One axial slice (274 of 527, counting up from the lowest) of an arterial-phase abdominal CT acquired with 120 kVp, kernel I30f; each pixel is 0.859 mm and the slice is 1.00 mm thick.
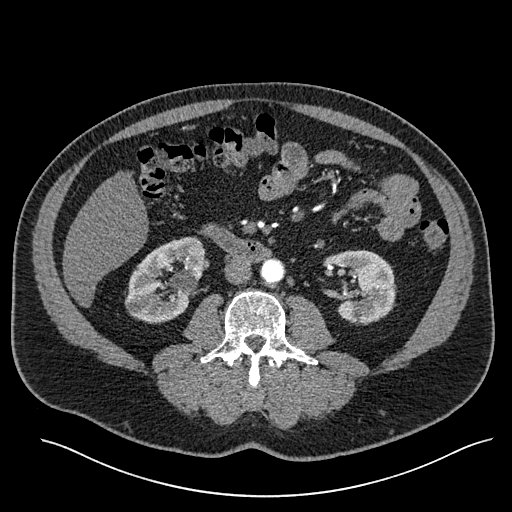
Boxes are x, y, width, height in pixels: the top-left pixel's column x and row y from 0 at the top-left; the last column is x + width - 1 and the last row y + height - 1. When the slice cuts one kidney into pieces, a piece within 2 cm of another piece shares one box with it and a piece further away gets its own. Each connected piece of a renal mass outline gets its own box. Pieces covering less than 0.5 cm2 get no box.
Two boxes on this slice (two kidney boxes), listed by box centre from the image's left to its right. (1) Box x 124, y 236, width 80, height 88: right kidney (outlined area 4,780 px, about 35.3 cm2). (2) Box x 326, y 250, width 71, height 76: left kidney (outlined area 3,858 px, about 28.5 cm2). No renal mass is outlined on this slice.